Axial slice 30 of 69 of a contrast-enhanced abdominal CT in the arterial phase (slice 1 is the lowest), 120 kVp, kernel STANDARD; 2.50 mm slice thickness and 0.846 mm pixels.
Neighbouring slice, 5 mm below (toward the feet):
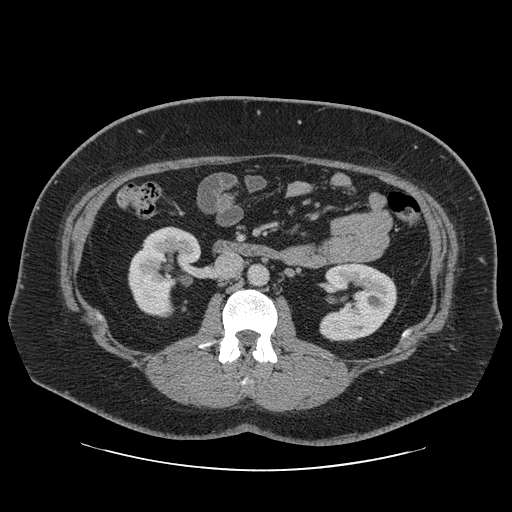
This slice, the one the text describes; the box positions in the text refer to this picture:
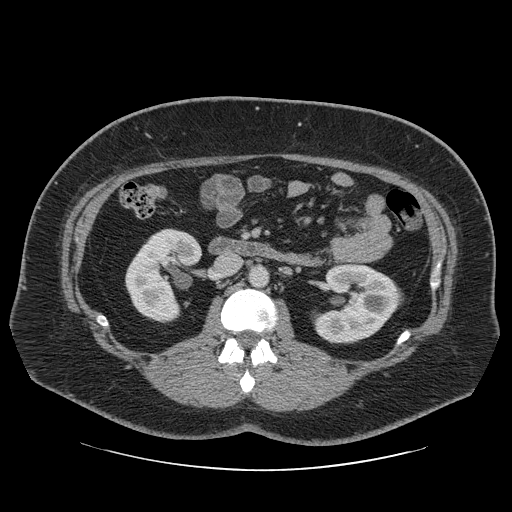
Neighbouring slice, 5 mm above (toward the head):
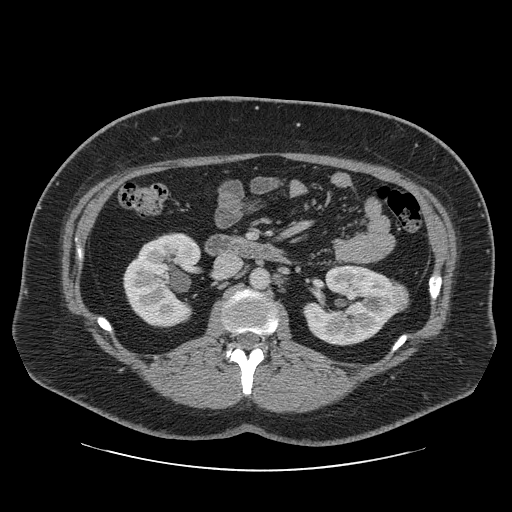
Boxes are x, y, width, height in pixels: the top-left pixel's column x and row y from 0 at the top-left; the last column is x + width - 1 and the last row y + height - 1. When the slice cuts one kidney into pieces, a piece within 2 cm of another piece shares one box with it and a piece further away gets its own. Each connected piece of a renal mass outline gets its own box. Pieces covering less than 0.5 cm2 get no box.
Three boxes on this slice (two kidney boxes and one renal mass box), listed by box centre from the image's left to its right. (1) Box x 125, y 228, width 78, height 96: right kidney (outlined area 4,991 px, about 35.7 cm2). (2) Left kidney at x 311, y 262, width 91, height 82 (outlined area 5,054 px, about 36.1 cm2). (3) Box x 395, y 289, width 9, height 13: left renal mass (outlined area 82 px, about 0.6 cm2). This slice is near the end of the left renal mass toward the feet, so the slices 5 mm below and 5 mm above it are shown as well; the boxes refer to this slice only.